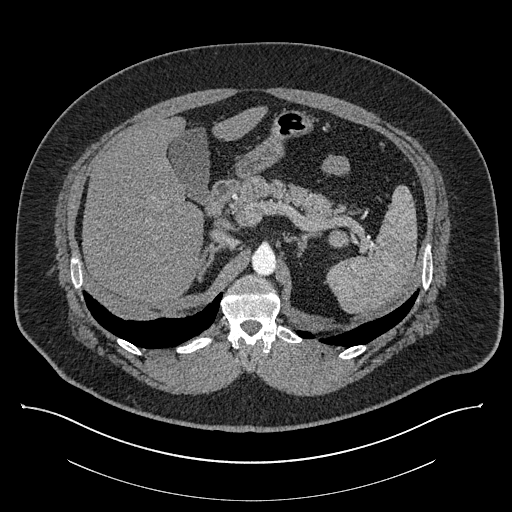
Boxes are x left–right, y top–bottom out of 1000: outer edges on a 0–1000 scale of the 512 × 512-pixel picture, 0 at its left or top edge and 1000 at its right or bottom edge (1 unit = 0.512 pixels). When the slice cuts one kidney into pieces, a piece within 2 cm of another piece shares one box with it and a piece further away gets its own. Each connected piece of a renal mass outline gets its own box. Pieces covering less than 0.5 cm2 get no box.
This is axial slice 584 of 787 (slice 1 is the lowest) of an abdominal CT with contrast; each pixel is 0.910 mm and the slice is 1.00 mm thick. Left renal mass at x 641–686, y 445–484 out of 1000 (outlined area 331 px, about 2.7 cm2); no kidney outline appears on this slice, but the same outlined renal mass comes within 1 cm of the kidney on another slice.
Scan settings: 140 kVp, I30f reconstruction kernel.